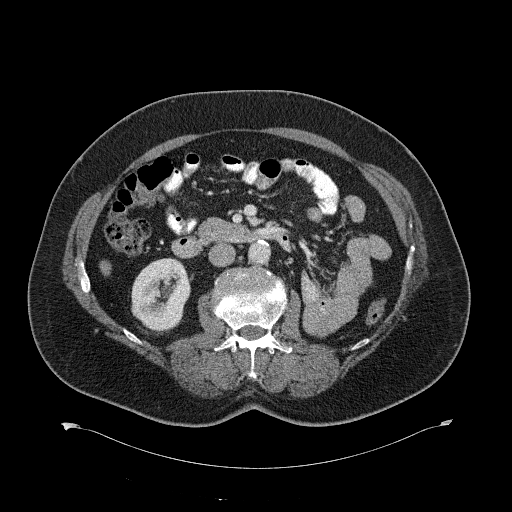
Contrast-enhanced abdominal CT, axial slice 351 of 734 (counted from the lowest slice); tube voltage 120 kVp, convolution kernel B31f; slices 2.00 mm thick, 0.971 mm per pixel.
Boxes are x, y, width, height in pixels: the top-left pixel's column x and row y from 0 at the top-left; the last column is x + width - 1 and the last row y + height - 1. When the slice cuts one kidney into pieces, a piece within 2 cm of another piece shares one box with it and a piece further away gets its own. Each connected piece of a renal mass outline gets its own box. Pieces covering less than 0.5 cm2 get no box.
Right kidney, box x 131, y 258, width 62, height 72 (outlined area 3,431 px, about 32.3 cm2). No renal mass outline on this slice.